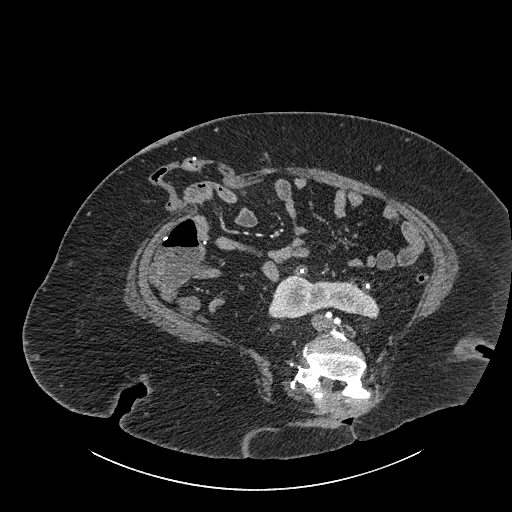
Contrast-enhanced abdominal CT, axial slice 424 of 834 (counted from the lowest slice); tube voltage 140 kVp, convolution kernel I30f; slices 1.00 mm thick, 0.977 mm per pixel.
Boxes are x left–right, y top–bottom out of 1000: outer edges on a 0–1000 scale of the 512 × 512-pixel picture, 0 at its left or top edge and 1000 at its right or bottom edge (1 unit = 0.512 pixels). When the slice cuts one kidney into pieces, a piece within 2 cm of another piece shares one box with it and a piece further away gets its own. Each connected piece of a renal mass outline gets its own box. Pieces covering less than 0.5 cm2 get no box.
Box x 523–742, y 535–625 out of 1000: kidney crossing the body midline (outlined area 3,430 px, about 32.7 cm2). No renal mass outline on this slice.